One axial slice (63 of 90, counting up from the lowest) of an arterial-phase abdominal CT acquired with 100 kVp, kernel I40f; each pixel is 0.703 mm and the slice is 5.00 mm thick.
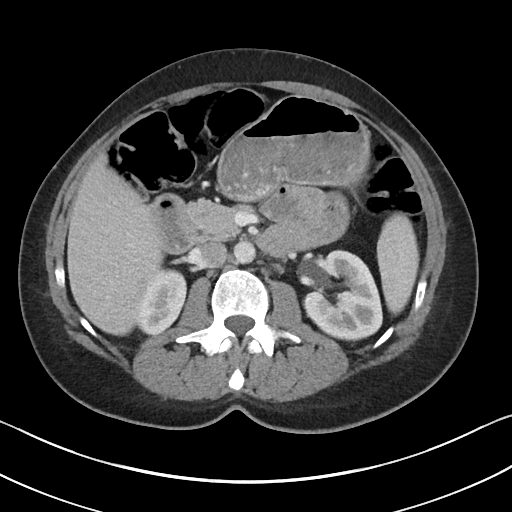
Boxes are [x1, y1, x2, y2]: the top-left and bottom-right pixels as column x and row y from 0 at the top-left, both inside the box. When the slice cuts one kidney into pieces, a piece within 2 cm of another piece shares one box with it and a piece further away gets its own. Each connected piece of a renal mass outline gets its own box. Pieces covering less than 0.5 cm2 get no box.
Two boxes on this slice (two kidney boxes), listed by box centre from the image's left to its right. (1) Right kidney at [137, 268, 186, 335] (outlined area 2,447 px, about 12.1 cm2). (2) Left kidney, box [302, 249, 382, 341] (outlined area 5,280 px, about 26.1 cm2). No renal mass outline on this slice.